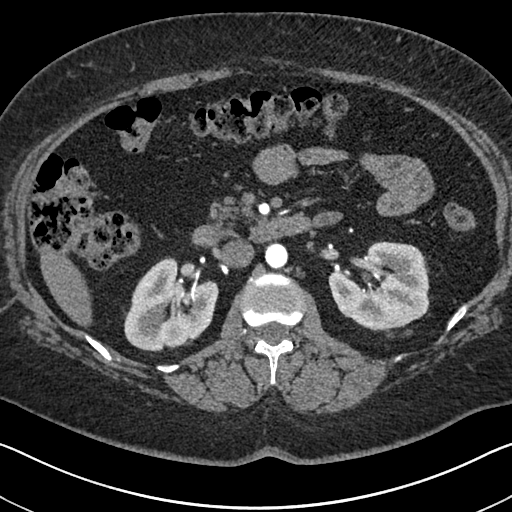
Abdominal CT with intravenous contrast, arterial phase, axial plane, 140 kVp, kernel I30f. Slice 410/591 from the bottom of the scan; thickness 1.00 mm; pixel size 0.703 mm.
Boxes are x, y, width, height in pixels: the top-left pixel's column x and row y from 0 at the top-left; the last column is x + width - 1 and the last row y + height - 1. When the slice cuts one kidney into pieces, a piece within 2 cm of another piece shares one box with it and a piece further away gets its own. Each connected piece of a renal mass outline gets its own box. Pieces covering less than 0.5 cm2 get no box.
Two kidney boxes on this slice; by box centre, from the image's left to its right: (1) Box x 124, y 257, width 95, height 95: right kidney (outlined area 6,323 px, about 31.3 cm2). (2) Left kidney, box x 328, y 241, width 102, height 90 (outlined area 6,714 px, about 33.2 cm2). This slice carries no renal mass outline.